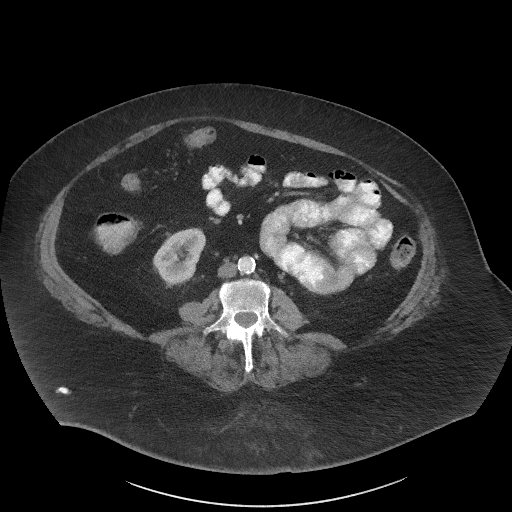
Abdominal CT with intravenous contrast, arterial phase, axial plane, 140 kVp, kernel I41f. Slice 13/61 from the bottom of the scan; thickness 3.00 mm; pixel size 0.947 mm.
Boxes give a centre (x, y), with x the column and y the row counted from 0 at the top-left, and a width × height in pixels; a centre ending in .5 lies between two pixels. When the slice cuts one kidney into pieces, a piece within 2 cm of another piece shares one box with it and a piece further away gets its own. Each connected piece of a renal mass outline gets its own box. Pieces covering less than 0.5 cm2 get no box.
Box centre (179, 255.5), 55 × 58 pixels: right kidney (outlined area 2,151 px, about 19.3 cm2). This slice carries no renal mass outline.